Axial slice 294 of 723 of a contrast-enhanced abdominal CT in the arterial phase (slice 1 is the lowest), 120 kVp, kernel B30f; 1.00 mm slice thickness and 0.895 mm pixels.
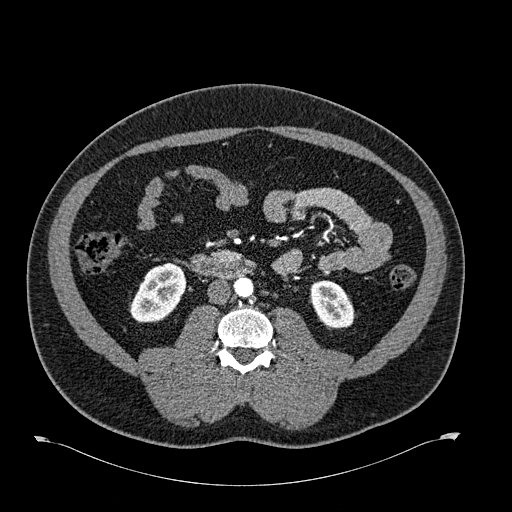
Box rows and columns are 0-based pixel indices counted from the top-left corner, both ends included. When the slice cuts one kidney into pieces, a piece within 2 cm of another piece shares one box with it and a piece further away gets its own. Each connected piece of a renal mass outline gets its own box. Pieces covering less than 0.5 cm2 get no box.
Boxed on this slice (two kidney boxes), listed by box centre from the image's left to its right: (1) Box rows 262–322, columns 129–186: right kidney (outlined area 2,424 px, about 19.4 cm2). (2) Box rows 280–329, columns 309–354: left kidney (outlined area 1,671 px, about 13.4 cm2). No renal mass outline on this slice.